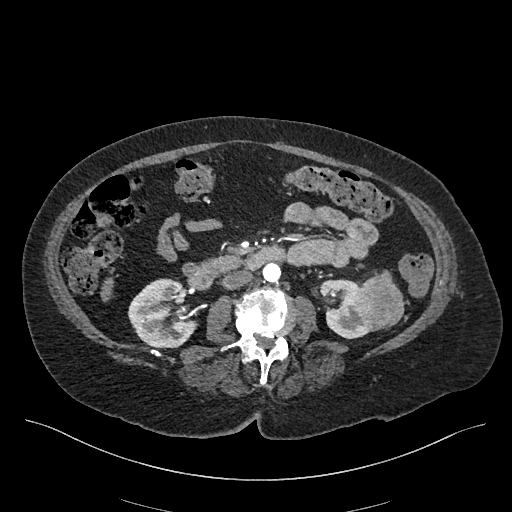
Abdominal CT with intravenous contrast, arterial phase, axial plane, 120 kVp, kernel I26f. Slice 224/548 from the bottom of the scan; thickness 1.00 mm; pixel size 0.852 mm.
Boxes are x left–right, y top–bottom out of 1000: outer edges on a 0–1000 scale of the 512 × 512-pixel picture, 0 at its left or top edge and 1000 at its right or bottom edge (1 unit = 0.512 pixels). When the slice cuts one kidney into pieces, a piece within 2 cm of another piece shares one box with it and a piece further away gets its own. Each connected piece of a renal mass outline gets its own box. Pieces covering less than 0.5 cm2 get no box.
Boxed on this slice (two kidney boxes and one renal mass box), listed by box centre from the image's left to its right: (1) Right kidney at x 250–389, y 543–682 out of 1000 (outlined area 3,579 px, about 26.0 cm2). (2) Left kidney at x 623–725, y 545–662 out of 1000 (outlined area 1,960 px, about 14.2 cm2). (3) Left renal mass, box x 691–791, y 527–648 out of 1000 (outlined area 2,215 px, about 16.1 cm2).